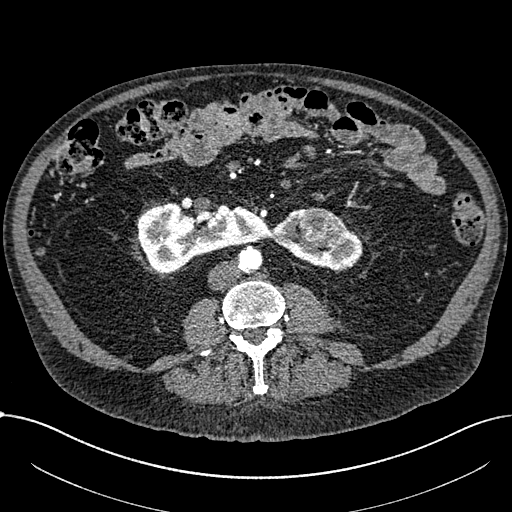
One axial slice (310 of 1059, counting up from the lowest) of an arterial-phase abdominal CT acquired with 100 kVp, kernel I30f; each pixel is 0.811 mm and the slice is 1.00 mm thick.
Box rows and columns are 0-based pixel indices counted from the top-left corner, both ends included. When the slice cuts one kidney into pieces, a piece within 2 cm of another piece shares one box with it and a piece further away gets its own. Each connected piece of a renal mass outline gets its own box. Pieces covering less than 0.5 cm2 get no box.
Two boxes on this slice (one kidney box and one renal mass box), listed by box centre from the image's left to its right. (1) Box rows 202–272, columns 137–362: kidney crossing the body midline (outlined area 8,903 px, about 58.5 cm2). (2) Renal mass, box rows 208–244, columns 298–343 (outlined area 1,219 px, about 8.0 cm2).